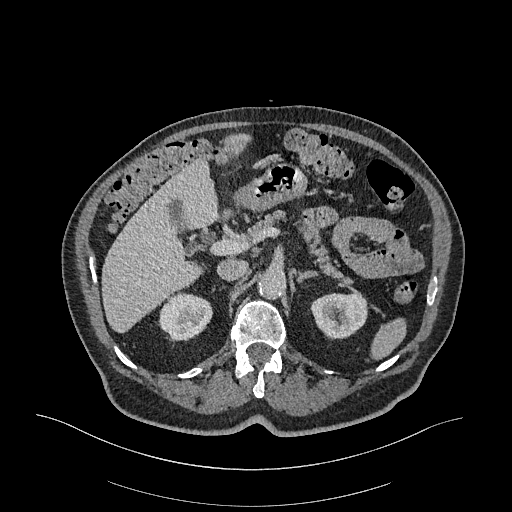
Arterial-phase contrast-enhanced abdominal CT, axial slice 225 of 470 (counted from the lowest slice); tube voltage 120 kVp, convolution kernel I26f; slices 1.00 mm thick, 0.938 mm per pixel.
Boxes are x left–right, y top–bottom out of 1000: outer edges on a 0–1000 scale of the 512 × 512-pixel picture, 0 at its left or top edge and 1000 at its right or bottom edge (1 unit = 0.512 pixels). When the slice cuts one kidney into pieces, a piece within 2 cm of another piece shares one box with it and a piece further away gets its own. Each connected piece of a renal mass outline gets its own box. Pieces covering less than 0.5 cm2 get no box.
Boxed on this slice (two kidney boxes), listed by box centre from the image's left to its right: (1) Right kidney at x 311–416, y 570–666 out of 1000 (outlined area 1,988 px, about 17.5 cm2). (2) Left kidney at x 605–719, y 572–664 out of 1000 (outlined area 2,109 px, about 18.5 cm2). No renal mass outline on this slice.